Abdominal CT with intravenous contrast, arterial phase, axial plane, 120 kVp, kernel I30f. Slice 298/735 from the bottom of the scan; thickness 1.00 mm; pixel size 0.789 mm.
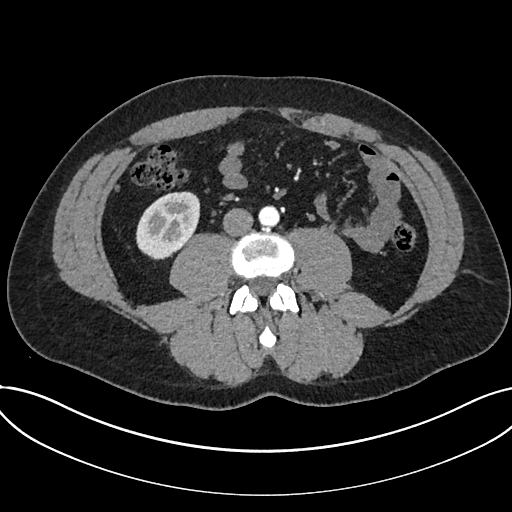
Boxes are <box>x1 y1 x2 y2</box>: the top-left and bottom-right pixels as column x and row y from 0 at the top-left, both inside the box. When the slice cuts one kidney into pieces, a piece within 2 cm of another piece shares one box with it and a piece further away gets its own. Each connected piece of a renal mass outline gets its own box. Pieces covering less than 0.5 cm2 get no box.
Kidney at <box>136 191 200 259</box> (outlined area 3,230 px, about 20.1 cm2). No renal mass outline on this slice.